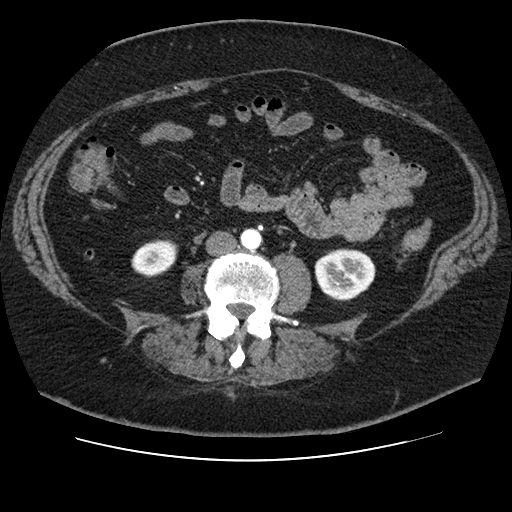
Axial slice 25 of 106 of a contrast-enhanced abdominal CT in the arterial phase (slice 1 is the lowest), 120 kVp, kernel STANDARD; 2.50 mm slice thickness and 0.742 mm pixels.
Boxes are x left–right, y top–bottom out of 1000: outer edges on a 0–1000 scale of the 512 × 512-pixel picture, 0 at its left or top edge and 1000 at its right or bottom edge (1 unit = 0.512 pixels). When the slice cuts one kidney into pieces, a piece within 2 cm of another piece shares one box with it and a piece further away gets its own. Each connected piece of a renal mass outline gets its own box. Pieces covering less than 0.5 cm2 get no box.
Two boxes on this slice (two kidney boxes), listed by box centre from the image's left to its right. (1) Box x 256–348, y 467–543 out of 1000: right kidney (outlined area 1,350 px, about 7.4 cm2). (2) Left kidney, box x 613–734, y 484–588 out of 1000 (outlined area 2,525 px, about 13.9 cm2). This slice carries no renal mass outline.